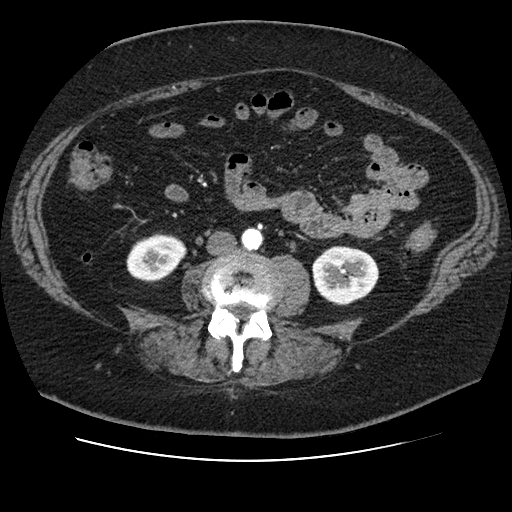
Arterial-phase contrast-enhanced abdominal CT, axial slice 27 of 106 (counted from the lowest slice); tube voltage 120 kVp, convolution kernel STANDARD; slices 2.50 mm thick, 0.742 mm per pixel.
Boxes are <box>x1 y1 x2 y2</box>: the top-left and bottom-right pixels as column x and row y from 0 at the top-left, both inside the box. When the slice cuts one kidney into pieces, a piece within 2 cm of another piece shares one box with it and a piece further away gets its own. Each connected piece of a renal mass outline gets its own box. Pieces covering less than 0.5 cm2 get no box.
Two boxes on this slice (two kidney boxes), listed by box centre from the image's left to its right. (1) Right kidney at <box>126 233 186 282</box> (outlined area 2,208 px, about 12.2 cm2). (2) Left kidney: <box>312 246 379 305</box> (outlined area 3,114 px, about 17.2 cm2). This slice carries no renal mass outline.